Abdominal CT with intravenous contrast, axial plane, 140 kVp, kernel I30f. Slice 442/834 from the bottom of the scan; thickness 1.00 mm; pixel size 0.977 mm.
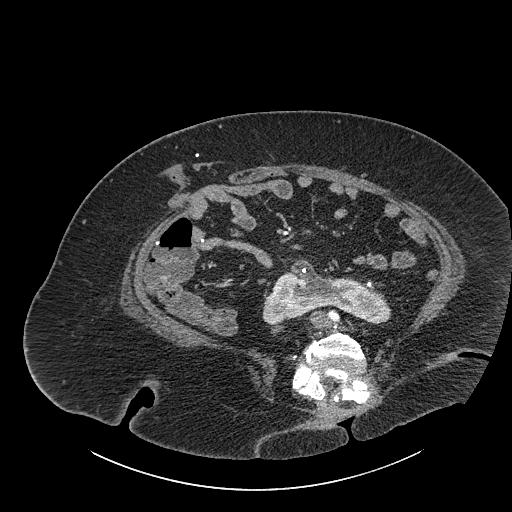
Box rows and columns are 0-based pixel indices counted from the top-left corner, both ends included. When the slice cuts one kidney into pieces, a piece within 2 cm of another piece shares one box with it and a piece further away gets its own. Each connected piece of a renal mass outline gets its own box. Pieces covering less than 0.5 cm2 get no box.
Kidney crossing the body midline at rows 258–325, columns 262–389 (outlined area 4,809 px, about 45.9 cm2). No renal mass is outlined on this slice.